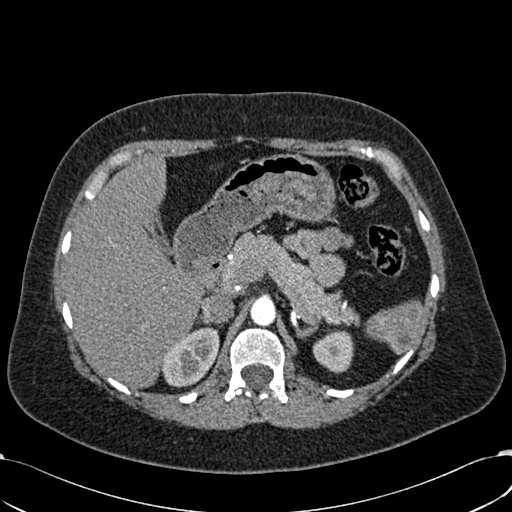
Arterial-phase contrast-enhanced abdominal CT, axial slice 439 of 532 (counted from the lowest slice); tube voltage 120 kVp, convolution kernel B30f; slices 1.00 mm thick, 0.713 mm per pixel.
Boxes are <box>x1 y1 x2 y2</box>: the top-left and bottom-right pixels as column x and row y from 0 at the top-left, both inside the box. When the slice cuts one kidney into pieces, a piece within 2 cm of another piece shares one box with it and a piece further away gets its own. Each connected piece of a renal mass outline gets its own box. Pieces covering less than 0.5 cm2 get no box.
Two kidney boxes on this slice; by box centre, from the image's left to its right: (1) At <box>162 327 219 387</box>: right kidney (outlined area 2,501 px, about 12.7 cm2). (2) Left kidney at <box>312 330 353 373</box> (outlined area 1,360 px, about 6.9 cm2). No renal mass is outlined on this slice.